Axial slice 138 of 197 of a contrast-enhanced abdominal CT (slice 1 is the lowest), 120 kVp, kernel I30f; 5.00 mm slice thickness and 0.791 mm pixels.
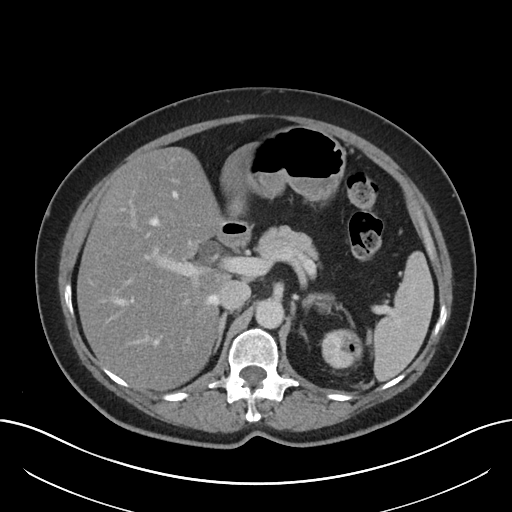
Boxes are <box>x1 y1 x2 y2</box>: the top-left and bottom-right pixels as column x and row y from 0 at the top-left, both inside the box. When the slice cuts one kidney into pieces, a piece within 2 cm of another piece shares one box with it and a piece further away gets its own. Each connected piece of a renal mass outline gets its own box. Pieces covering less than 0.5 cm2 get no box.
Left renal mass: <box>320 329 362 371</box> (outlined area 1,382 px, about 8.6 cm2); this slice has no kidney outline, though on another slice the same outlined renal mass lies within 1 cm of the kidney.